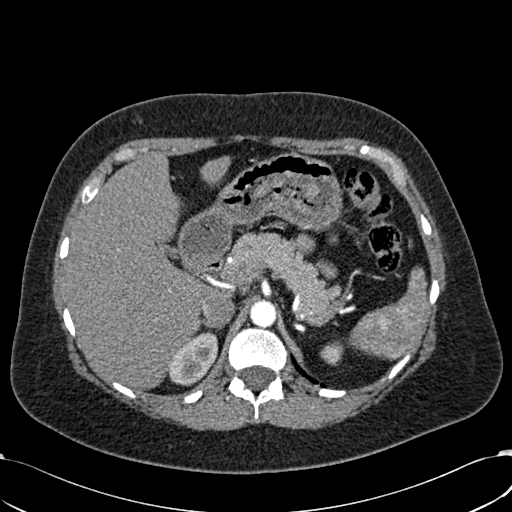
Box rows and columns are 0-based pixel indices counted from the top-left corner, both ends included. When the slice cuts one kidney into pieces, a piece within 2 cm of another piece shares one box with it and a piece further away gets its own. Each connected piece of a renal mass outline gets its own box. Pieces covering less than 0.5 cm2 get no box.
Slice 447/532 of a contrast-enhanced abdominal CT in the arterial phase, counting up from the lowest; pixel size 0.713 mm, slice thickness 1.00 mm. Two kidney boxes on this slice; by box centre, from the image's left to its right: (1) Right kidney at rows 331–385, columns 168–217 (outlined area 1,883 px, about 9.6 cm2). (2) Left kidney, box rows 341–365, columns 320–343 (outlined area 413 px, about 2.1 cm2). No renal mass is outlined on this slice.
Tube voltage 120 kVp; convolution kernel B30f.